Axial slice 717 of 987 of a contrast-enhanced abdominal CT in the arterial phase (slice 1 is the lowest), 120 kVp, kernel I26f; 1.00 mm slice thickness and 0.977 mm pixels.
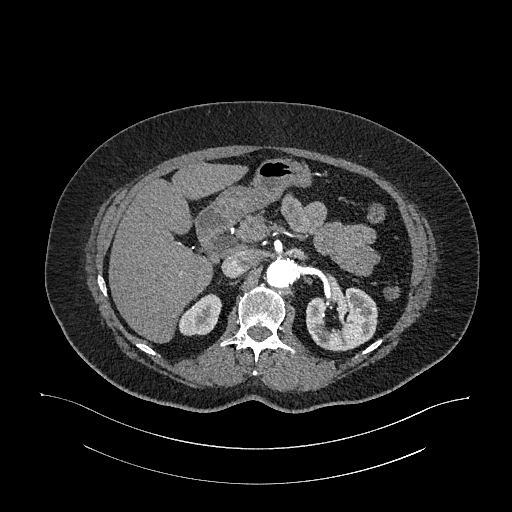
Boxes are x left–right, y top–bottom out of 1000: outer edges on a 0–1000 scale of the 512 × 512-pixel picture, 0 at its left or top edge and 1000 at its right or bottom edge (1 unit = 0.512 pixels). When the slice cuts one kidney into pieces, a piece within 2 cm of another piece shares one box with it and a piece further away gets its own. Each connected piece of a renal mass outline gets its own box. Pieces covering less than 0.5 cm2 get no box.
Boxed on this slice (two kidney boxes), listed by box centre from the image's left to its right: (1) Right kidney, box x 348–436, y 572–658 out of 1000 (outlined area 1,291 px, about 12.3 cm2). (2) Left kidney, box x 598–738, y 559–688 out of 1000 (outlined area 3,465 px, about 33.0 cm2). No renal mass outline on this slice.